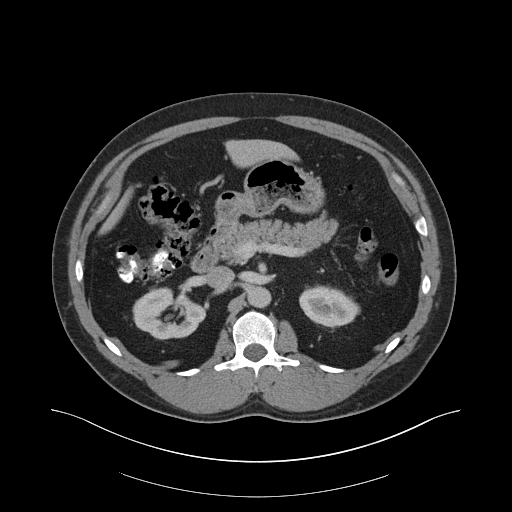
Axial slice 117 of 159 of a contrast-enhanced abdominal CT in the arterial phase (slice 1 is the lowest), 140 kVp, kernel B30f; 3.00 mm slice thickness and 0.977 mm pixels.
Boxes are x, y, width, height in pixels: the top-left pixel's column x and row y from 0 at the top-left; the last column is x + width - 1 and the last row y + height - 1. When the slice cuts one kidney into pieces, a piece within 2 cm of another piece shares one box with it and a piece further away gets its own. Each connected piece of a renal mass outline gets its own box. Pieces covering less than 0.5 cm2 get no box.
Two boxes on this slice (two kidney boxes), listed by box centre from the image's left to its right. (1) Right kidney, box x 132, y 286, width 75, height 54 (outlined area 2,704 px, about 25.8 cm2). (2) Left kidney, box x 299, y 285, width 60, height 42 (outlined area 1,851 px, about 17.7 cm2). No renal mass outline on this slice.